Arterial-phase contrast-enhanced abdominal CT, axial slice 305 of 541 (counted from the lowest slice); tube voltage 120 kVp, convolution kernel I30f; slices 1.00 mm thick, 0.834 mm per pixel.
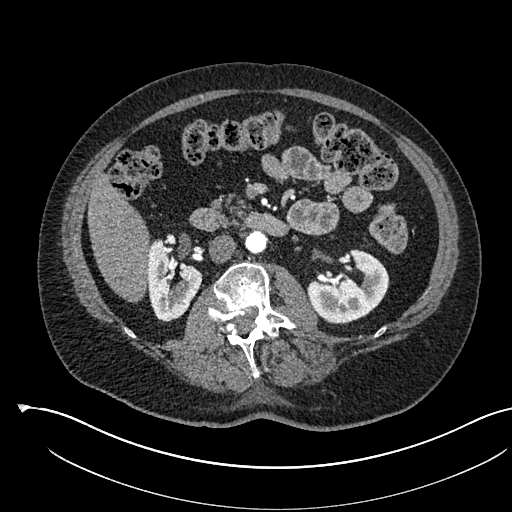
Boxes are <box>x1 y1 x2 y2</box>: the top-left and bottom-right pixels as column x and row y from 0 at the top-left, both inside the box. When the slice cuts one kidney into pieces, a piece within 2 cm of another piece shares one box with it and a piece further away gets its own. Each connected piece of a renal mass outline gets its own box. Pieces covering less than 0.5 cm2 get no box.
Boxed on this slice (two kidney boxes), listed by box centre from the image's left to its right: (1) Right kidney at <box>146 239 202 321</box> (outlined area 3,149 px, about 21.9 cm2). (2) Left kidney at <box>307 249 389 324</box> (outlined area 4,074 px, about 28.3 cm2). This slice carries no renal mass outline.